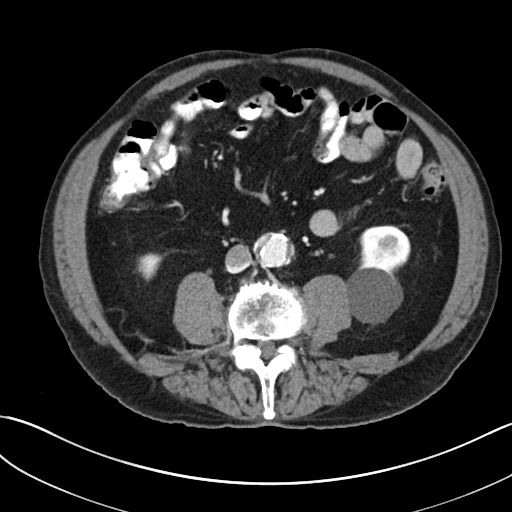
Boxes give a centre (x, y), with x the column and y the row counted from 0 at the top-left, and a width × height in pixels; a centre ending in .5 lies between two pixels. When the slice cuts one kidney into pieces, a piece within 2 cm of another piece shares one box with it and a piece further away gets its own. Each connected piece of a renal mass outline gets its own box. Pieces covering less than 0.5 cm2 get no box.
Slice 106/269 of a contrast-enhanced abdominal CT, counting up from the lowest; pixel size 0.732 mm, slice thickness 5.00 mm. Boxed on this slice (two kidney boxes), listed by box centre from the image's left to its right: (1) Box centre (149, 266.5), 27 × 28 pixels: right kidney (outlined area 514 px, about 2.8 cm2). (2) Left kidney, box centre (378, 275), 65 × 101 pixels (outlined area 4,542 px, about 24.4 cm2). No renal mass outline on this slice.
Scan settings: 100 kVp, I30f reconstruction kernel.